Axial slice 205 of 581 of a contrast-enhanced abdominal CT in the arterial phase (slice 1 is the lowest), 120 kVp, kernel B30f; 1.00 mm slice thickness and 0.713 mm pixels.
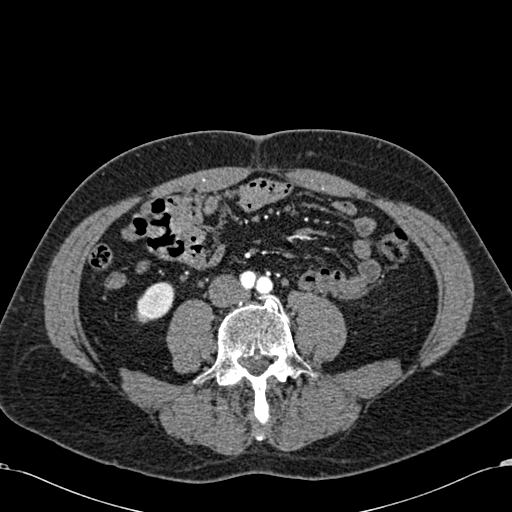
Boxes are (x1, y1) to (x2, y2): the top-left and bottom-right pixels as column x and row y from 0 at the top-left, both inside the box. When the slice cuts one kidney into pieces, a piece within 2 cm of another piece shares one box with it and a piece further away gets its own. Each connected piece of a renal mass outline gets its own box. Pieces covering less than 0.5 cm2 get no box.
Right kidney, box (135, 282) to (174, 323) (outlined area 1,186 px, about 6.0 cm2). No renal mass is outlined on this slice.